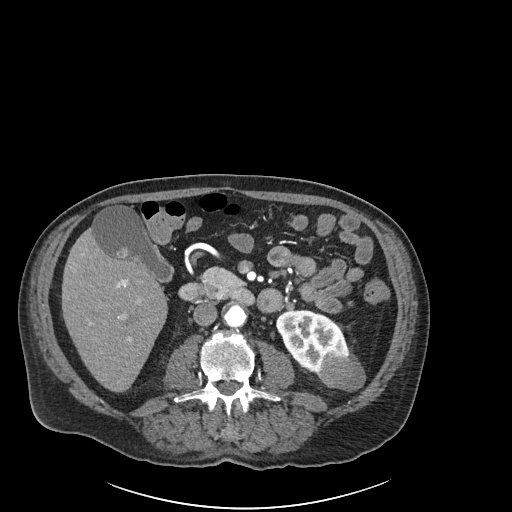
Abdominal CT with intravenous contrast, arterial phase, axial plane, 120 kVp, kernel I30f. Slice 84/261 from the bottom of the scan; thickness 2.00 mm; pixel size 0.939 mm.
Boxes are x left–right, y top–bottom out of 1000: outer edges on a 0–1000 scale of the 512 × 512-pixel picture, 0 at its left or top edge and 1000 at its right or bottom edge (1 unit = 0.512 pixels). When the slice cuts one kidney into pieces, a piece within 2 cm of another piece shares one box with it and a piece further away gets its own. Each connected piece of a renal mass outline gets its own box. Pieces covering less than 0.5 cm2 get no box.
One kidney box and one renal mass box on this slice; by box centre, from the image's left to its right: (1) Left kidney, box x 539–682, y 604–738 out of 1000 (outlined area 2,973 px, about 26.2 cm2). (2) Left renal mass at x 623–715, y 691–766 out of 1000 (outlined area 1,377 px, about 12.2 cm2).